One axial slice (337 of 634, counting up from the lowest) of an arterial-phase abdominal CT acquired with 120 kVp, kernel B20f; each pixel is 0.838 mm and the slice is 1.00 mm thick.
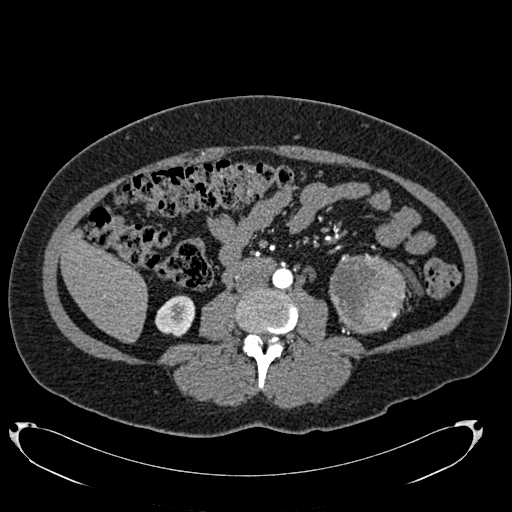
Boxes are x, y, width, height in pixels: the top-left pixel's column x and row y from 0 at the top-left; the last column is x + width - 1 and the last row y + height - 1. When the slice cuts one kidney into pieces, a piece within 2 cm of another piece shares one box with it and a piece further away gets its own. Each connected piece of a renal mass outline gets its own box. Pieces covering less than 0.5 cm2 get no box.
One kidney box and one renal mass box on this slice; by box centre, from the image's left to its right: (1) Box x 155, y 295, width 41, height 42: right kidney (outlined area 1,279 px, about 9.0 cm2). (2) Left renal mass, box x 328, y 253, width 78, height 82 (outlined area 4,837 px, about 34.0 cm2); here it is more than 1 cm from any kidney outline, though on another slice the same outlined renal mass lies within 1 cm of the kidney.